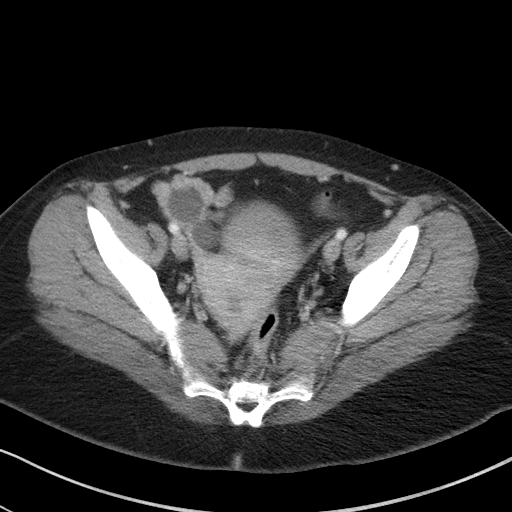
Slice 21/85 of a contrast-enhanced abdominal CT in the arterial phase, counting up from the lowest; pixel size 0.664 mm, slice thickness 5.00 mm. Outside the outlined region: no kidney outline and no renal mass outline on this slice. The scan's outlines cover only kidneys and renal masses; no other organ is outlined.
Tube voltage 100 kVp; convolution kernel I41f.